Contrast-enhanced abdominal CT, axial slice 350 of 734 (counted from the lowest slice); tube voltage 120 kVp, convolution kernel B31f; slices 2.00 mm thick, 0.971 mm per pixel.
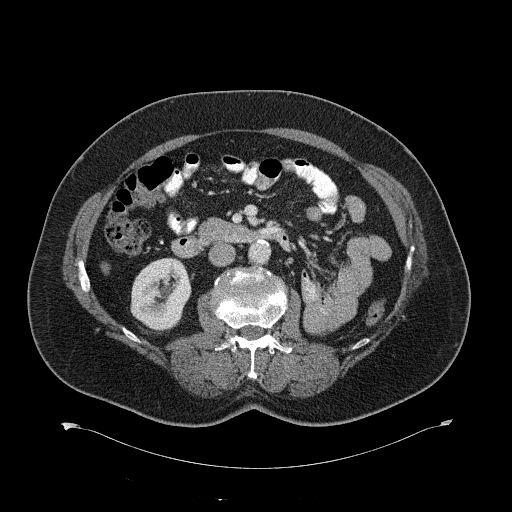
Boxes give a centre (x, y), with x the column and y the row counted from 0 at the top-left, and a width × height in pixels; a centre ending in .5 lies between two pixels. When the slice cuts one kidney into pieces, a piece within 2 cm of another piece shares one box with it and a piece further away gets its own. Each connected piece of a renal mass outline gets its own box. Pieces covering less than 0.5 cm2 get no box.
Right kidney in a box with centre (161.5, 293), 64 × 73 pixels (outlined area 3,466 px, about 32.7 cm2). This slice carries no renal mass outline.